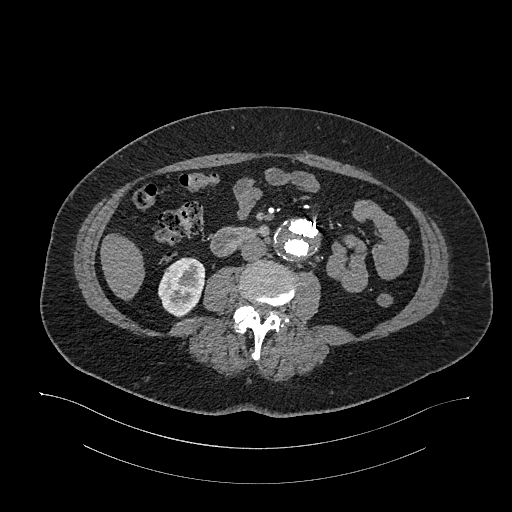
Arterial-phase contrast-enhanced abdominal CT, axial slice 561 of 987 (counted from the lowest slice); tube voltage 120 kVp, convolution kernel I26f; slices 1.00 mm thick, 0.977 mm per pixel.
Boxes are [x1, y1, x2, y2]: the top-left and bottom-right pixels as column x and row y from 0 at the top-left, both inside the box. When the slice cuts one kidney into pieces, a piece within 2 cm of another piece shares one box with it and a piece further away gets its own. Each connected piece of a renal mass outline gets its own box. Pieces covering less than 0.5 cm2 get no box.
Box [158, 257, 205, 317]: right kidney (outlined area 2,142 px, about 20.4 cm2).